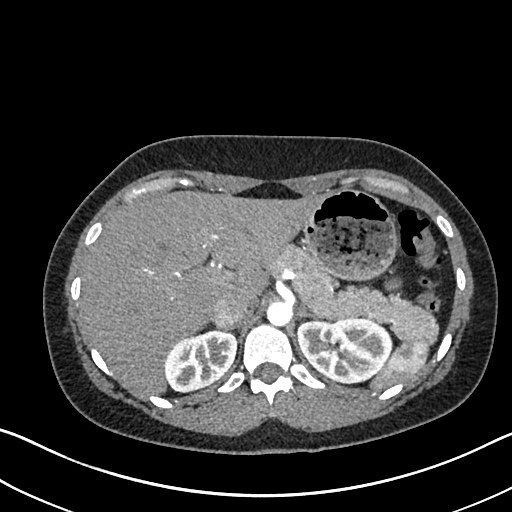
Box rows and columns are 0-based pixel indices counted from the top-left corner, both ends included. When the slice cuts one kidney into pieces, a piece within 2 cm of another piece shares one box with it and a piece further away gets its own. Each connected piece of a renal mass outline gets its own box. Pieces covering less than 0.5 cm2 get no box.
Arterial-phase contrast-enhanced abdominal CT, axial slice 511 of 612 (counted from the lowest slice); 1.00 mm thick, 0.703 mm per pixel. Boxed on this slice (two kidney boxes), listed by box centre from the image's left to its right: (1) Right kidney at rows 329–391, columns 164–236 (outlined area 3,350 px, about 16.6 cm2). (2) Box rows 317–383, columns 297–392: left kidney (outlined area 4,929 px, about 24.4 cm2). No renal mass is outlined on this slice.
Tube voltage 120 kVp; convolution kernel I30f.